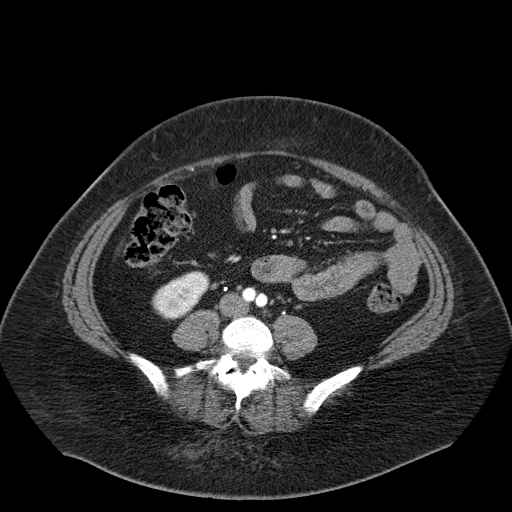
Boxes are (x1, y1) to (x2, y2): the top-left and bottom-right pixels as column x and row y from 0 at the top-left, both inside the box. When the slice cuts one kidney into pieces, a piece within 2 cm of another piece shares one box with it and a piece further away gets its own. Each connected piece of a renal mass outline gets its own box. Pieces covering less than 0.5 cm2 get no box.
This is axial slice 22 of 55 (slice 1 is the lowest) of an abdominal CT with contrast; each pixel is 0.908 mm and the slice is 5.00 mm thick. Box (151, 271) to (210, 320): right kidney (outlined area 1,905 px, about 15.7 cm2). No renal mass outline on this slice.
Scan settings: 120 kVp, B30f reconstruction kernel.